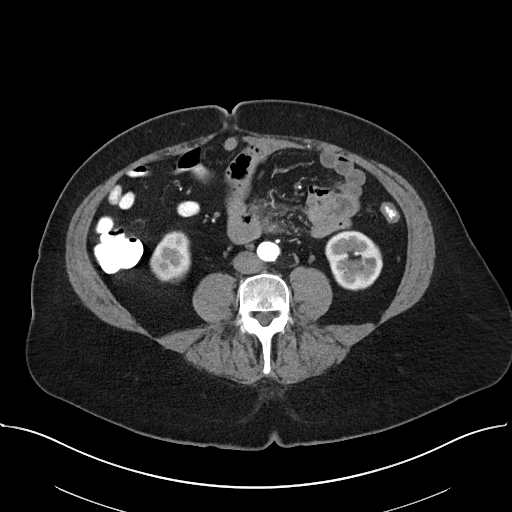
One axial slice (8 of 38, counting up from the lowest) of an arterial-phase abdominal CT acquired with 100 kVp, kernel I40f; each pixel is 0.822 mm and the slice is 5.00 mm thick.
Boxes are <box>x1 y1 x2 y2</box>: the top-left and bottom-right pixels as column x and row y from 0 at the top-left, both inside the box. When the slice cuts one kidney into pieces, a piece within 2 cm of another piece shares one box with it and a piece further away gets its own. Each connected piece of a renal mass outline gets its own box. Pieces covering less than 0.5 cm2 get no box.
Two boxes on this slice (two kidney boxes), listed by box centre from the image's left to its right. (1) At <box>150 231 190 282</box>: right kidney (outlined area 1,655 px, about 11.2 cm2). (2) Left kidney: <box>325 230 382 290</box> (outlined area 2,665 px, about 18.0 cm2). No renal mass outline on this slice.